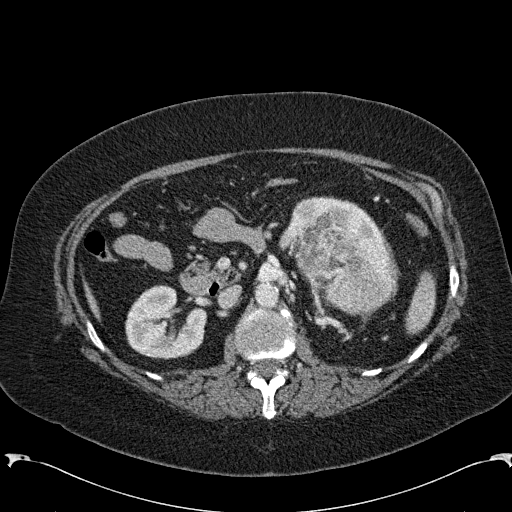
Abdominal CT with intravenous contrast, arterial phase, axial plane, 120 kVp, kernel B31f. Slice 137/285 from the bottom of the scan; thickness 2.00 mm; pixel size 0.762 mm.
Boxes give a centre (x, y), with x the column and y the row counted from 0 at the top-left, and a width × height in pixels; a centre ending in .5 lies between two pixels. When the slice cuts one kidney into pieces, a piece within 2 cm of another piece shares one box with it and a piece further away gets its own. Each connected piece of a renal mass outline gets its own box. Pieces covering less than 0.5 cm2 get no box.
Two kidney boxes and one renal mass box on this slice; by box centre, from the image's left to its right: (1) Right kidney, box centre (165.5, 322), 82 × 75 pixels (outlined area 4,419 px, about 25.6 cm2). (2) Left kidney, box centre (334.5, 226), 108 × 61 pixels (outlined area 2,892 px, about 16.8 cm2). (3) Left renal mass in a box with centre (346.5, 270), 108 × 95 pixels (outlined area 6,986 px, about 40.5 cm2).